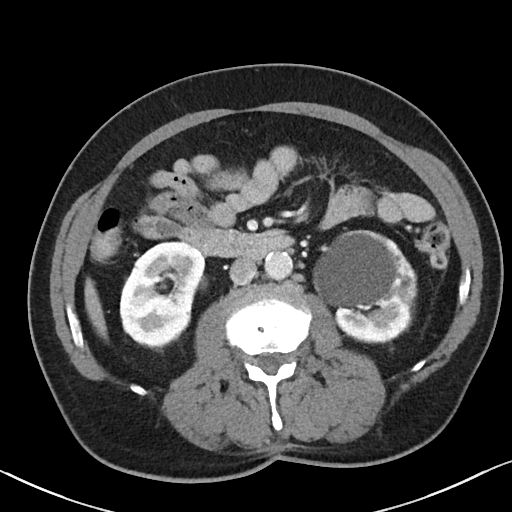
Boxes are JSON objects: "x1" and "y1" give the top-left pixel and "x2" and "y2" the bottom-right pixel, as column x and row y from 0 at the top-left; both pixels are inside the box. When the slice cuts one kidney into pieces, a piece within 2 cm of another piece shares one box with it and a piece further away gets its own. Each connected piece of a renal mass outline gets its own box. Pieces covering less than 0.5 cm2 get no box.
Contrast-enhanced abdominal CT, axial slice 55 of 90 (counted from the lowest slice); 5.00 mm thick, 0.684 mm per pixel. Two kidney boxes on this slice; by box centre, from the image's left to its right: (1) Right kidney at {"x1": 119, "y1": 241, "x2": 205, "y2": 349} (outlined area 6,835 px, about 31.9 cm2). (2) Left kidney, box {"x1": 313, "y1": 229, "x2": 417, "y2": 343} (outlined area 8,924 px, about 41.7 cm2). No renal mass outline on this slice.
Scan settings: 100 kVp, I40f reconstruction kernel.